Axial slice 60 of 88 of a contrast-enhanced abdominal CT in the arterial phase (slice 1 is the lowest), 120 kVp, kernel B41f; 5.00 mm slice thickness and 0.723 mm pixels.
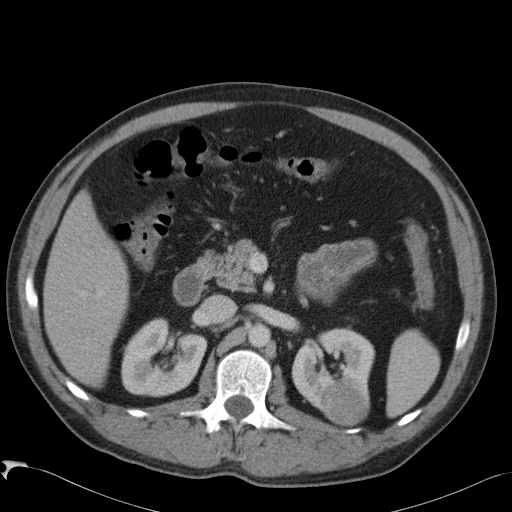
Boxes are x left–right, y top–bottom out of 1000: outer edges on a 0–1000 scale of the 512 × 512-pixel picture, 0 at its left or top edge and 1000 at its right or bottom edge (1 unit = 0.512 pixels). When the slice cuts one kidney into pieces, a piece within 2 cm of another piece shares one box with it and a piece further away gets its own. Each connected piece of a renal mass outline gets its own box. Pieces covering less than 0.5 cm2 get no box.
Two kidney boxes and one renal mass box on this slice; by box centre, from the image's left to its right: (1) Box x 236–406, y 619–775 out of 1000: right kidney (outlined area 4,901 px, about 25.6 cm2). (2) Left kidney at x 568–732, y 641–803 out of 1000 (outlined area 4,081 px, about 21.3 cm2). (3) Left renal mass, box x 625–723, y 742–836 out of 1000 (outlined area 1,867 px, about 9.8 cm2).